Abdominal CT with intravenous contrast, arterial phase, axial plane, 120 kVp, kernel B20f. Slice 613/719 from the bottom of the scan; thickness 1.00 mm; pixel size 0.766 mm.
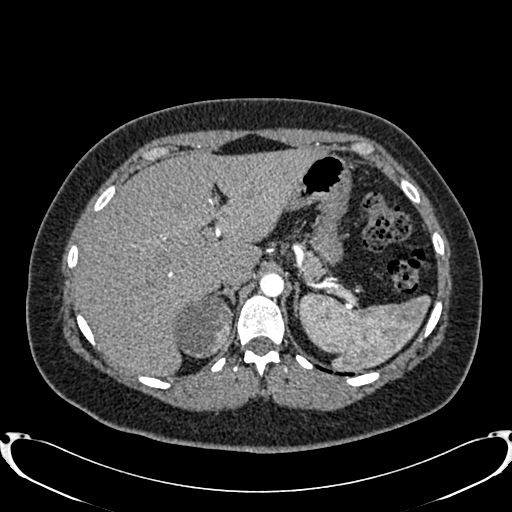
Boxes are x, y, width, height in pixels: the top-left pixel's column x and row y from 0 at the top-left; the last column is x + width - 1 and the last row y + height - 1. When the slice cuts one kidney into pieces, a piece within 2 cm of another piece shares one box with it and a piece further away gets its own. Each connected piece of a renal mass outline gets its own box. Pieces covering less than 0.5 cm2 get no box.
Right renal mass, box x 171, y 295, width 62, height 64 (outlined area 2,898 px, about 17.0 cm2); no kidney is outlined on this slice, but the same outlined renal mass comes within 1 cm of the kidney on another slice.